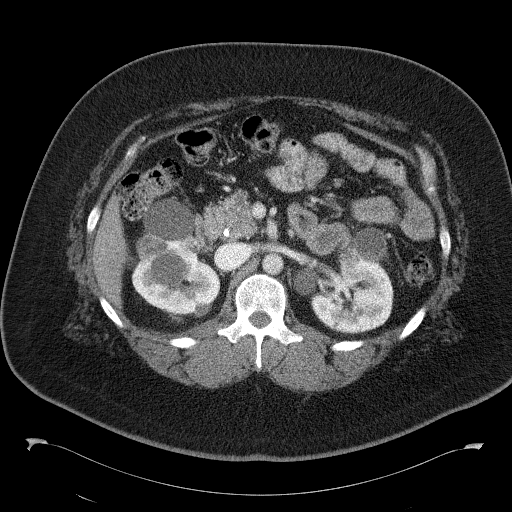
Contrast-enhanced abdominal CT, axial slice 81 of 146 (counted from the lowest slice); tube voltage 120 kVp, convolution kernel B41f; slices 5.00 mm thick, 0.840 mm per pixel.
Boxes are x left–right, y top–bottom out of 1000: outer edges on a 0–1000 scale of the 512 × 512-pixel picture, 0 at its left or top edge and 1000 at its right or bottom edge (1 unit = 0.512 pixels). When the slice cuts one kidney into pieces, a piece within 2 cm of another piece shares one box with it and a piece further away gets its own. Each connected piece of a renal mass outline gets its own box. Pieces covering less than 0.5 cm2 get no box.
Boxed on this slice (two kidney boxes and three renal mass boxes), listed by box centre from the image's left to its right: (1) Renal mass, box x 266–326, y 457–512 out of 1000 (outlined area 637 px, about 4.5 cm2). (2) Kidney at x 256–432, y 389–619 out of 1000 (outlined area 6,209 px, about 43.8 cm2). (3) Renal mass at x 354–400, y 459–496 out of 1000 (outlined area 342 px, about 2.4 cm2). (4) Kidney, box x 572–770, y 514–652 out of 1000 (outlined area 4,286 px, about 30.2 cm2). (5) Box x 660–756, y 443–557 out of 1000: renal mass (outlined area 1,863 px, about 13.1 cm2).